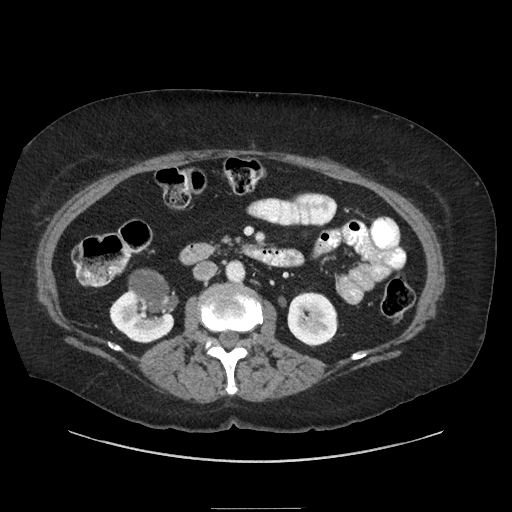
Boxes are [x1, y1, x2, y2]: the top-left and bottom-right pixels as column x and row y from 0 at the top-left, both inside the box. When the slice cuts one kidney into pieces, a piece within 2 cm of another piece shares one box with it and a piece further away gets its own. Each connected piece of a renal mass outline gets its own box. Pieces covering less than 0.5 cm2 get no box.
Slice 118/186 of a contrast-enhanced abdominal CT, counting up from the lowest; pixel size 0.850 mm, slice thickness 2.50 mm. Boxed on this slice (two kidney boxes and one renal mass box), listed by box centre from the image's left to its right: (1) Right kidney at [109, 290, 174, 343] (outlined area 1,955 px, about 14.1 cm2). (2) Right renal mass at [128, 269, 178, 315] (outlined area 1,621 px, about 11.7 cm2). (3) Left kidney, box [287, 291, 338, 346] (outlined area 2,236 px, about 16.1 cm2).
Acquired at 120 kVp and reconstructed with the STANDARD kernel.